Abdominal CT with intravenous contrast, arterial phase, axial plane, 100 kVp, kernel I30f. Slice 303/1059 from the bottom of the scan; thickness 1.00 mm; pixel size 0.811 mm.
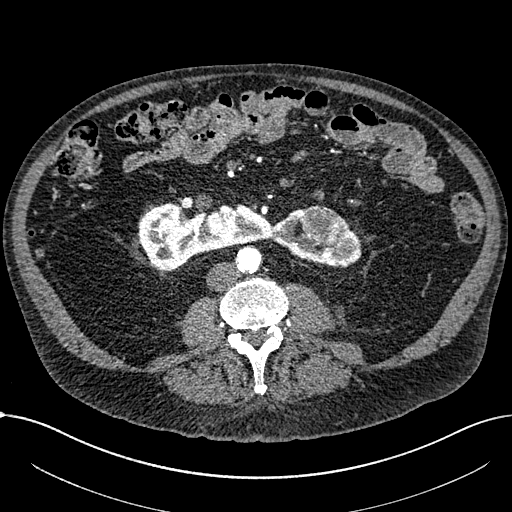
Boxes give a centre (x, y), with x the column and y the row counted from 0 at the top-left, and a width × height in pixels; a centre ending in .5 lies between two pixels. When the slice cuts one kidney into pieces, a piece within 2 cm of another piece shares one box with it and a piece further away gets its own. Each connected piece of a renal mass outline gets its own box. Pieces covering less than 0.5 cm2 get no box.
Two boxes on this slice (one kidney box and one renal mass box), listed by box centre from the image's left to its right. (1) Box centre (249.5, 235.5), 224 × 68 pixels: kidney crossing the body midline (outlined area 8,544 px, about 56.1 cm2). (2) Renal mass in a box with centre (323, 225.5), 47 × 42 pixels (outlined area 1,467 px, about 9.6 cm2).